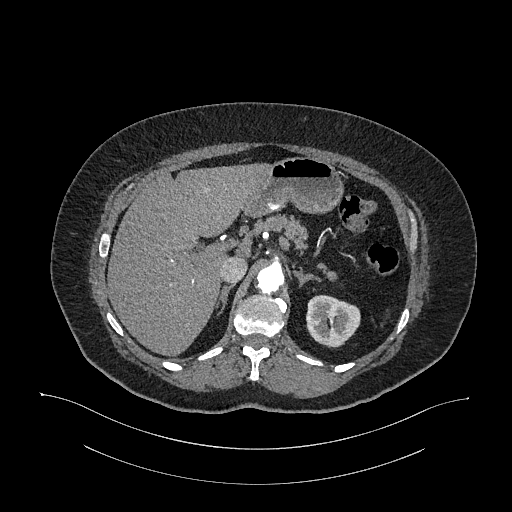
One axial slice (767 of 987, counting up from the lowest) of an arterial-phase abdominal CT acquired with 120 kVp, kernel I26f; each pixel is 0.977 mm and the slice is 1.00 mm thick.
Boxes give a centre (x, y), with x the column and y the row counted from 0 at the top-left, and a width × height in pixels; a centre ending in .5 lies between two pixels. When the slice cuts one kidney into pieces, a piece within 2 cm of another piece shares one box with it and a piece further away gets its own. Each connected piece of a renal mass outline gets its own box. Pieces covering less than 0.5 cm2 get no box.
Box centre (333, 321), 55 × 53 pixels: left kidney (outlined area 2,233 px, about 21.3 cm2). No renal mass is outlined on this slice.